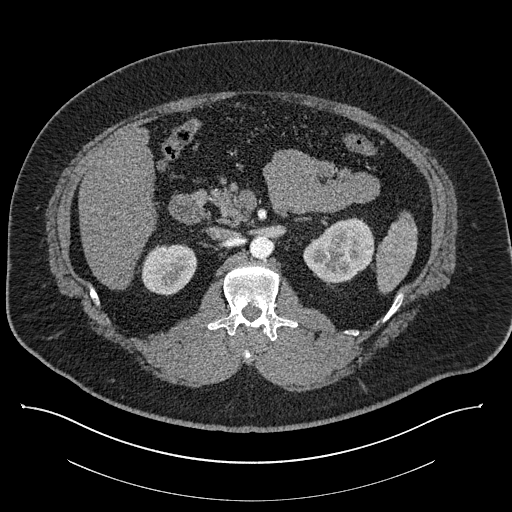
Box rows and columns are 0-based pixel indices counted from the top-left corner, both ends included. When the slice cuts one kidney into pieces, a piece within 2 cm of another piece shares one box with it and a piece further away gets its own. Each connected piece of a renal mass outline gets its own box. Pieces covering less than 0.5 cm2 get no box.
Contrast-enhanced abdominal CT, axial slice 526 of 787 (counted from the lowest slice); 1.00 mm thick, 0.910 mm per pixel. Two kidney boxes on this slice; by box centre, from the image's left to its right: (1) Right kidney at rows 244–295, columns 141–197 (outlined area 2,300 px, about 19.1 cm2). (2) Left kidney at rows 217–283, columns 303–374 (outlined area 3,410 px, about 28.2 cm2). No renal mass is outlined on this slice.
Acquired at 140 kVp and reconstructed with the I30f kernel.